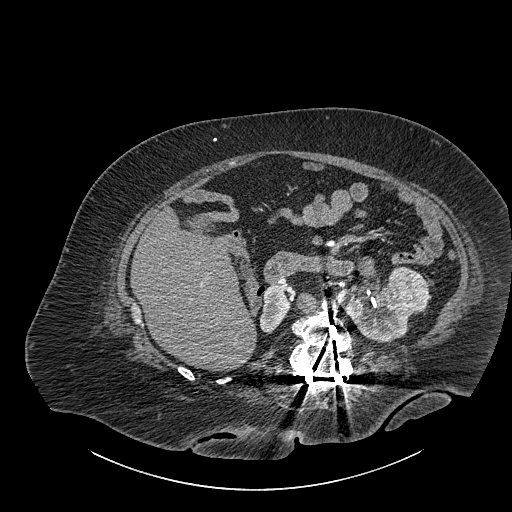
One axial slice (538 of 834, counting up from the lowest) of a contrast-enhanced abdominal CT acquired with 140 kVp, kernel I30f; each pixel is 0.977 mm and the slice is 1.00 mm thick.
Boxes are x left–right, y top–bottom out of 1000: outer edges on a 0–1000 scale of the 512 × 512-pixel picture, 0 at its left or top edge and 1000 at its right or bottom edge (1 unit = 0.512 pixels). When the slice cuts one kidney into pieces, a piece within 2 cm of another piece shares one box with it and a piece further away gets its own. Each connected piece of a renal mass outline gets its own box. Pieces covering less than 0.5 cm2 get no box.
Two kidney boxes and one renal mass box on this slice; by box centre, from the image's left to its right: (1) Box x 506–568, y 557–650 out of 1000: right part of the midline-crossing kidney (outlined area 1,028 px, about 9.8 cm2). (2) Box x 656–807, y 553–670 out of 1000: left part of the midline-crossing kidney (outlined area 2,726 px, about 26.0 cm2). (3) Renal mass at x 758–838, y 520–613 out of 1000 (outlined area 1,502 px, about 14.3 cm2).